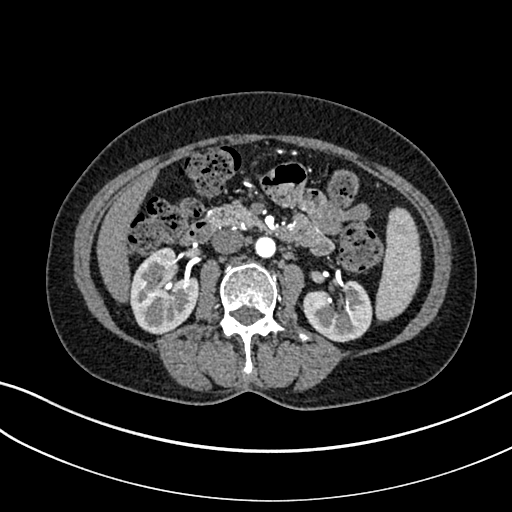
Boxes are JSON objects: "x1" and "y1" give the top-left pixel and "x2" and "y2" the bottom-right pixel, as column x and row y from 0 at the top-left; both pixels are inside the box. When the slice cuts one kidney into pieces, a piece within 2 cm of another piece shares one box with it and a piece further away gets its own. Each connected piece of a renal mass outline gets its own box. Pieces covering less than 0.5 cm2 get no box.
Slice 153/325 of a contrast-enhanced abdominal CT in the arterial phase, counting up from the lowest; pixel size 0.703 mm, slice thickness 1.00 mm. Boxed on this slice (two kidney boxes), listed by box centre from the image's left to its right: (1) Box {"x1": 129, "y1": 247, "x2": 198, "y2": 334}: right kidney (outlined area 4,369 px, about 21.6 cm2). (2) Box {"x1": 302, "y1": 280, "x2": 372, "y2": 342}: left kidney (outlined area 3,199 px, about 15.8 cm2). No renal mass outline on this slice.
Scan settings: 100 kVp, I30f reconstruction kernel.